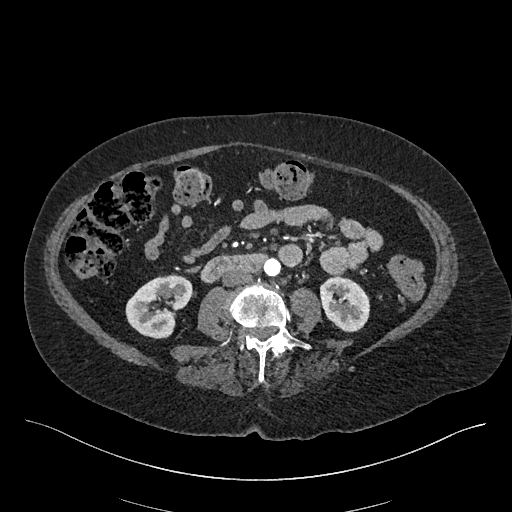
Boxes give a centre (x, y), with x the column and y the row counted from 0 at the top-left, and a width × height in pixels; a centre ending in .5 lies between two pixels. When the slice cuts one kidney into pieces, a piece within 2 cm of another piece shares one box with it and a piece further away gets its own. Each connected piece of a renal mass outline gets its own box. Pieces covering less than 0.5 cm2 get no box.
Slice 189/548 of a contrast-enhanced abdominal CT in the arterial phase, counting up from the lowest; pixel size 0.852 mm, slice thickness 1.00 mm. Boxed on this slice (two kidney boxes), listed by box centre from the image's left to its right: (1) Right kidney, box centre (158.5, 305.5), 68 × 66 pixels (outlined area 2,999 px, about 21.7 cm2). (2) Left kidney in a box with centre (345, 304), 51 × 57 pixels (outlined area 2,171 px, about 15.7 cm2). No renal mass outline on this slice.
Scan settings: 120 kVp, I26f reconstruction kernel.